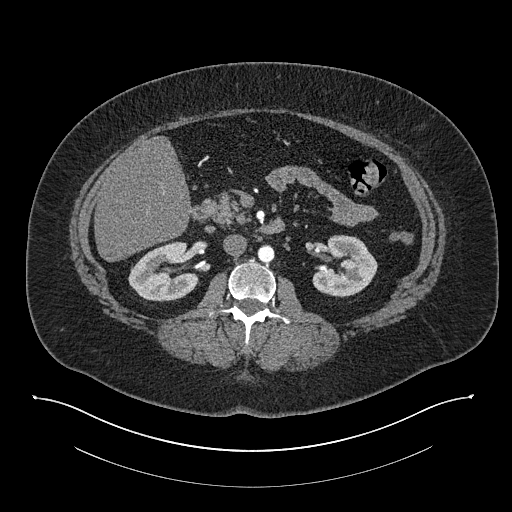
One axial slice (452 of 673, counting up from the lowest) of an arterial-phase abdominal CT acquired with 140 kVp, kernel I30f; each pixel is 0.957 mm and the slice is 1.00 mm thick.
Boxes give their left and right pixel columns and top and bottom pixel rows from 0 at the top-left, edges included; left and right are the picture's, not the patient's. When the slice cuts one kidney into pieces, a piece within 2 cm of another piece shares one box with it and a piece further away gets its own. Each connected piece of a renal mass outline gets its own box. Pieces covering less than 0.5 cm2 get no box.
Two boxes on this slice (two kidney boxes), listed by box centre from the image's left to its right. (1) Right kidney in the box with left 128, top 241, right 198, bottom 301 (outlined area 3,059 px, about 28.0 cm2). (2) Left kidney, the box with left 312, top 235, right 377, bottom 297 (outlined area 2,930 px, about 26.8 cm2). This slice carries no renal mass outline.